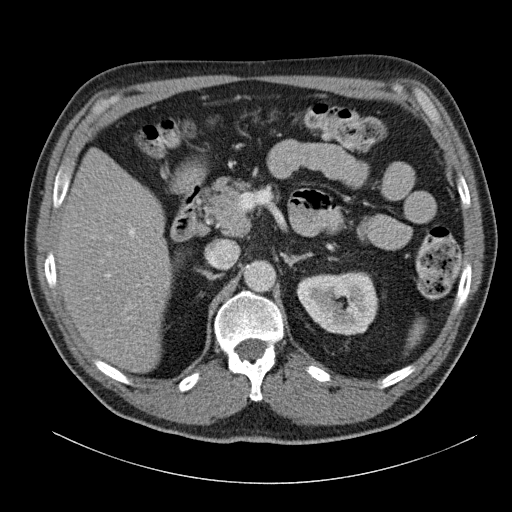
One axial slice (81 of 140, counting up from the lowest) of an arterial-phase abdominal CT acquired with 120 kVp, kernel B31f; each pixel is 0.754 mm and the slice is 5.00 mm thick.
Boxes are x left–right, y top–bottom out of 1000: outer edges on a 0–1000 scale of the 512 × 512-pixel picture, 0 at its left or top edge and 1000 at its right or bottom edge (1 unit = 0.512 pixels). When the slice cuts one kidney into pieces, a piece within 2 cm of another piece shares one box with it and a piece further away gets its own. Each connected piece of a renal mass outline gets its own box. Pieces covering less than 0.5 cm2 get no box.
Left kidney, box x 578–740, y 529–656 out of 1000 (outlined area 4,084 px, about 23.2 cm2). No renal mass outline on this slice.